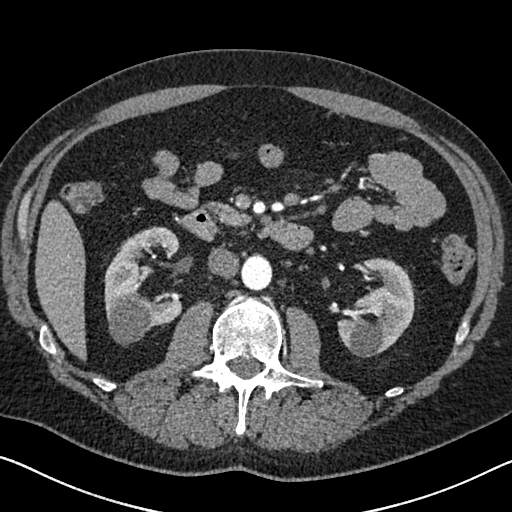
Axial slice 372 of 626 of a contrast-enhanced abdominal CT in the arterial phase (slice 1 is the lowest), 120 kVp, kernel I30f; 1.00 mm slice thickness and 0.703 mm pixels.
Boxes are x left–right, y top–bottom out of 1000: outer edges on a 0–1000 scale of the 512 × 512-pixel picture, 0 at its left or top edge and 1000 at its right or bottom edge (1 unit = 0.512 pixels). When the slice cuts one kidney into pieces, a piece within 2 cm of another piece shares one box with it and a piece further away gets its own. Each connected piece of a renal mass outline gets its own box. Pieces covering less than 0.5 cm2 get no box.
Two kidney boxes on this slice; by box centre, from the image's left to its right: (1) Right kidney, box x 203–357, y 441–676 out of 1000 (outlined area 6,042 px, about 29.9 cm2). (2) Box x 658–811, y 504–699 out of 1000: left kidney (outlined area 5,039 px, about 24.9 cm2). No renal mass is outlined on this slice.